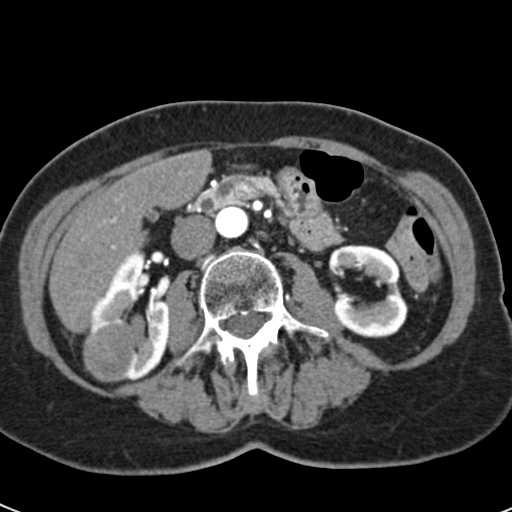
Axial slice 25 of 53 of a contrast-enhanced abdominal CT in the arterial phase (slice 1 is the lowest), 120 kVp, kernel B30f; 3.00 mm slice thickness and 0.547 mm pixels.
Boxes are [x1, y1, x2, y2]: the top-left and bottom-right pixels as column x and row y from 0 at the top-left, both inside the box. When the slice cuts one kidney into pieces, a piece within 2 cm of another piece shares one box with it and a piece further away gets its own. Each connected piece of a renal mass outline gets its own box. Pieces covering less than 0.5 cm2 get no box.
Boxed on this slice (two kidney boxes and two renal mass boxes), listed by box centre from the image's left to its right: (1) Box [99, 289, 132, 322]: right renal mass (outlined area 723 px, about 2.2 cm2). (2) Right renal mass, box [83, 313, 153, 382] (outlined area 3,434 px, about 10.3 cm2). (3) Right kidney, box [86, 252, 169, 379] (outlined area 3,691 px, about 11.0 cm2). (4) Box [328, 245, 407, 337]: left kidney (outlined area 4,908 px, about 14.7 cm2).